Contrast-enhanced abdominal CT, axial slice 540 of 834 (counted from the lowest slice); tube voltage 140 kVp, convolution kernel I30f; slices 1.00 mm thick, 0.977 mm per pixel.
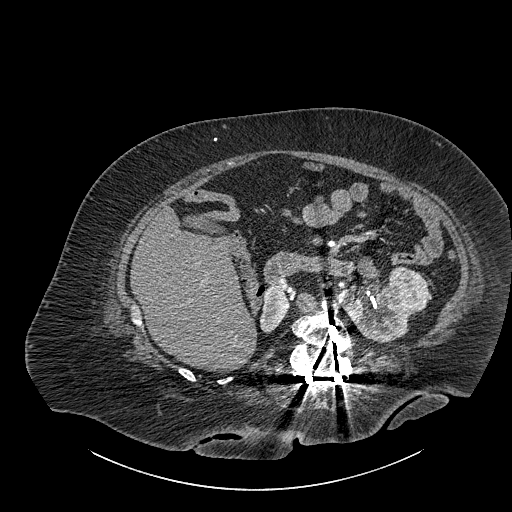
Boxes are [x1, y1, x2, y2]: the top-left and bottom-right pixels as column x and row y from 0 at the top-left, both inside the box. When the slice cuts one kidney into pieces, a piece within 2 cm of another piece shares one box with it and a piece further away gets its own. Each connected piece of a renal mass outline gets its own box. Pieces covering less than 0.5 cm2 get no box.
Boxed on this slice (two kidney boxes and one renal mass box), listed by box centre from the image's left to its right: (1) Right part of the midline-crossing kidney at [260, 285, 289, 332] (outlined area 1,016 px, about 9.7 cm2). (2) Left part of the midline-crossing kidney, box [338, 284, 415, 342] (outlined area 2,710 px, about 25.8 cm2). (3) Renal mass, box [388, 266, 428, 313] (outlined area 1,452 px, about 13.8 cm2).